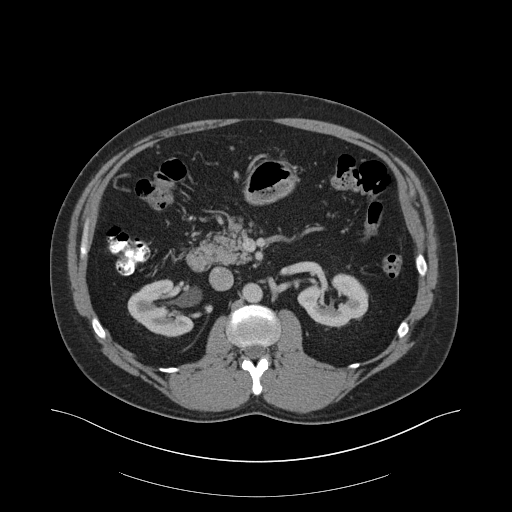
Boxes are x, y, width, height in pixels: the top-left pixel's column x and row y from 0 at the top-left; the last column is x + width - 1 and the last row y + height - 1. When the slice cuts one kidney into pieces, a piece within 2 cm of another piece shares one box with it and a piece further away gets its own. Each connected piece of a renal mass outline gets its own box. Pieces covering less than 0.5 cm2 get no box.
This is axial slice 111 of 159 (slice 1 is the lowest) of an arterial-phase abdominal CT with contrast; each pixel is 0.977 mm and the slice is 3.00 mm thick. Two kidney boxes on this slice; by box centre, from the image's left to its right: (1) Right kidney at x 127, y 279, width 67, height 59 (outlined area 2,529 px, about 24.1 cm2). (2) Left kidney at x 297, y 272, width 72, height 55 (outlined area 2,534 px, about 24.2 cm2). No renal mass is outlined on this slice.
Acquired at 140 kVp and reconstructed with the B30f kernel.